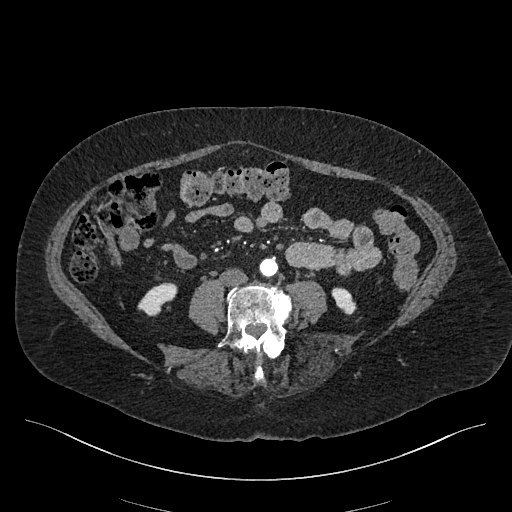
One axial slice (151 of 548, counting up from the lowest) of an arterial-phase abdominal CT acquired with 120 kVp, kernel I26f; each pixel is 0.852 mm and the slice is 1.00 mm thick.
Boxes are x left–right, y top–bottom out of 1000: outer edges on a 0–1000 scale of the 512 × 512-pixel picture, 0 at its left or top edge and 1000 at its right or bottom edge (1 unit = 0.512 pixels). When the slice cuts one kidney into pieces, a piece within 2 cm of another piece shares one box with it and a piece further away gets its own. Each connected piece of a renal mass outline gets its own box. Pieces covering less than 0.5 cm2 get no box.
Boxed on this slice (two kidney boxes), listed by box centre from the image's left to its right: (1) Right kidney, box x 268–348, y 551–619 out of 1000 (outlined area 822 px, about 6.0 cm2). (2) Box x 646–697, y 561–615 out of 1000: left kidney (outlined area 462 px, about 3.4 cm2). No renal mass is outlined on this slice.